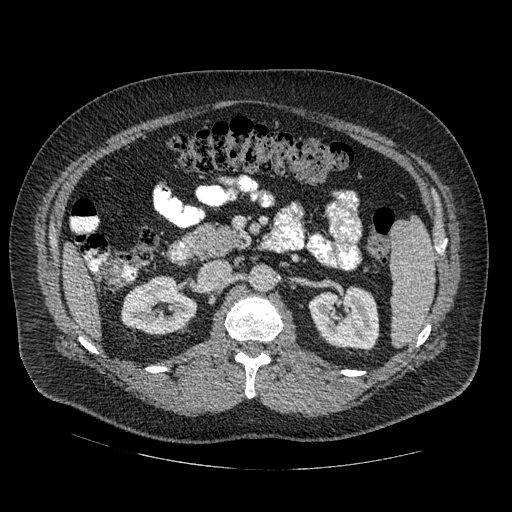
Abdominal CT with intravenous contrast, arterial phase, axial plane, 120 kVp, kernel STANDARD. Slice 286/445 from the bottom of the scan; thickness 1.25 mm; pixel size 0.863 mm.
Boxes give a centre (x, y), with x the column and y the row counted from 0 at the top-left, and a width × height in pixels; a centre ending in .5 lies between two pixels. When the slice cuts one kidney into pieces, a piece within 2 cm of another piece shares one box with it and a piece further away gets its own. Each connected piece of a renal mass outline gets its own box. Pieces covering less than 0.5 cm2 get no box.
Two kidney boxes on this slice; by box centre, from the image's left to its right: (1) Right kidney in a box with centre (158.5, 304.5), 78 × 58 pixels (outlined area 3,279 px, about 24.4 cm2). (2) Box centre (344, 318), 71 × 67 pixels: left kidney (outlined area 3,620 px, about 27.0 cm2). No renal mass outline on this slice.